Arterial-phase contrast-enhanced abdominal CT, axial slice 259 of 670 (counted from the lowest slice); tube voltage 120 kVp, convolution kernel I30f; slices 1.00 mm thick, 0.861 mm per pixel.
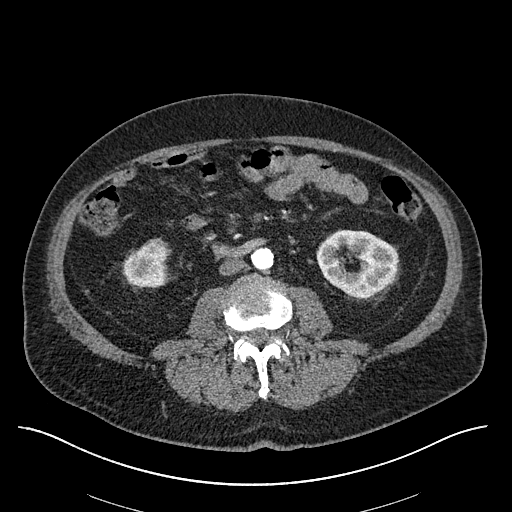
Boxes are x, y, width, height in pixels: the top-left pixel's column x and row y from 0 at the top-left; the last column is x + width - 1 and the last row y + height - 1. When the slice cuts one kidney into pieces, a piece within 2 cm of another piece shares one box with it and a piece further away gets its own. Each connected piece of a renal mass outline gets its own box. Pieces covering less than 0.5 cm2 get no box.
Two boxes on this slice (two kidney boxes), listed by box centre from the image's left to its right. (1) Right kidney, box x 123, y 238, width 46, height 51 (outlined area 1,788 px, about 13.3 cm2). (2) Left kidney, box x 317, y 229, width 82, height 70 (outlined area 4,100 px, about 30.4 cm2). No renal mass is outlined on this slice.